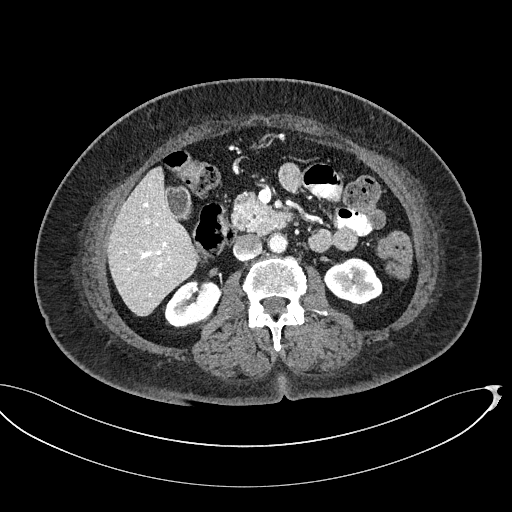
One axial slice (283 of 439, counting up from the lowest) of a contrast-enhanced abdominal CT acquired with 100 kVp, kernel I40f; each pixel is 0.850 mm and the slice is 2.00 mm thick.
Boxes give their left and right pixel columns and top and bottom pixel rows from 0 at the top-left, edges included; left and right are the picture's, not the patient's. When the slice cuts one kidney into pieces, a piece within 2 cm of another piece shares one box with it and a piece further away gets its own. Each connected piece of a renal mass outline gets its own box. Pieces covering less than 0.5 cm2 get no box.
Boxed on this slice (two kidney boxes), listed by box centre from the image's left to its right: (1) Right kidney, the box with left 164, top 278, right 220, bottom 327 (outlined area 1,991 px, about 14.4 cm2). (2) Box with left 323, top 257, right 382, bottom 305: left kidney (outlined area 2,031 px, about 14.7 cm2). No renal mass outline on this slice.